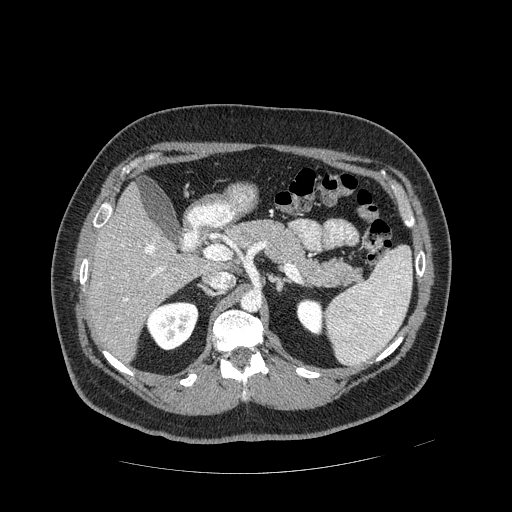
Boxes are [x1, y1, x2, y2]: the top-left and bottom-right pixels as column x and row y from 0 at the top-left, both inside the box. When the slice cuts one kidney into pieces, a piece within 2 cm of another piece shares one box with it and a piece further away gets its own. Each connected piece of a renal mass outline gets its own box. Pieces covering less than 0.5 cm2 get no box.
Arterial-phase contrast-enhanced abdominal CT, axial slice 285 of 389 (counted from the lowest slice); 1.25 mm thick, 0.869 mm per pixel. Boxed on this slice (two kidney boxes), listed by box centre from the image's left to its right: (1) Box [146, 301, 198, 350]: right kidney (outlined area 1,979 px, about 14.9 cm2). (2) Left kidney, box [296, 298, 324, 335] (outlined area 836 px, about 6.3 cm2). No renal mass outline on this slice.
Acquired at 120 kVp and reconstructed with the STANDARD kernel.